Arterial-phase contrast-enhanced abdominal CT, axial slice 170 of 345 (counted from the lowest slice); tube voltage 120 kVp, convolution kernel I31f; slices 2.00 mm thick, 0.977 mm per pixel.
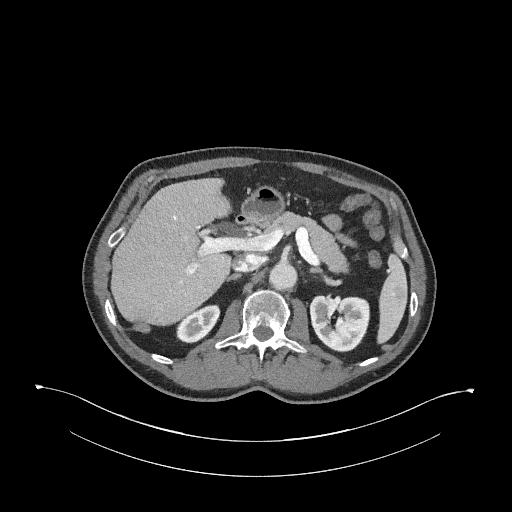
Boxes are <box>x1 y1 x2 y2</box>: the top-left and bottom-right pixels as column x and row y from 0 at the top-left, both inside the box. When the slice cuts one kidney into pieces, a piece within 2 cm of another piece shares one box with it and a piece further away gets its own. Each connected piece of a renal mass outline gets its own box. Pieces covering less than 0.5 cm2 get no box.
Two kidney boxes on this slice; by box centre, from the image's left to its right: (1) At <box>176 304 220 343</box>: right kidney (outlined area 1,150 px, about 11.0 cm2). (2) Left kidney at <box>309 292 369 352</box> (outlined area 2,843 px, about 27.1 cm2). This slice carries no renal mass outline.